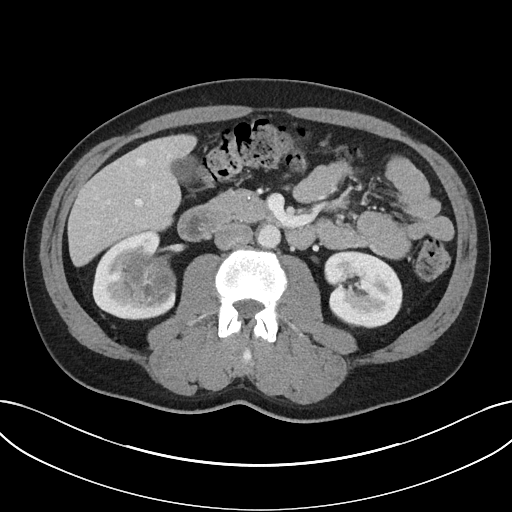
One axial slice (13 of 32, counting up from the lowest) of an arterial-phase abdominal CT acquired with 100 kVp, kernel I40f; each pixel is 0.779 mm and the slice is 5.00 mm thick.
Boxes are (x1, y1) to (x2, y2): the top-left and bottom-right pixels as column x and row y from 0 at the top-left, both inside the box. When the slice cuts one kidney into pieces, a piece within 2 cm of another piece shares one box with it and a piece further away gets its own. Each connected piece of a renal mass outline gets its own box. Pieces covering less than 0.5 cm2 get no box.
Boxed on this slice (two kidney boxes and one renal mass box), listed by box centre from the image's left to its right: (1) Right kidney, box (92, 230) to (175, 319) (outlined area 3,434 px, about 20.9 cm2). (2) Right renal mass, box (122, 254) to (176, 307) (outlined area 2,287 px, about 13.9 cm2). (3) Left kidney from (324, 249) to (402, 328) (outlined area 4,889 px, about 29.7 cm2).